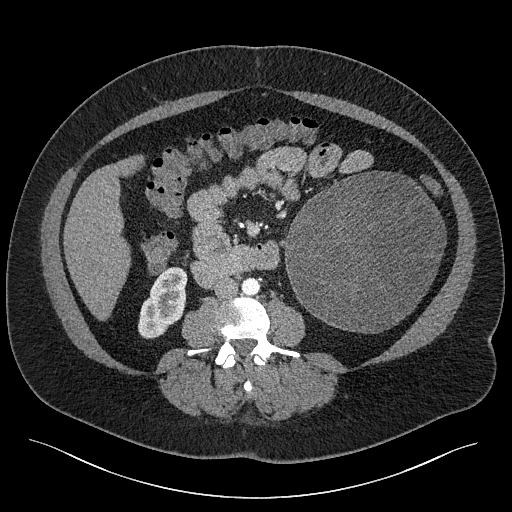
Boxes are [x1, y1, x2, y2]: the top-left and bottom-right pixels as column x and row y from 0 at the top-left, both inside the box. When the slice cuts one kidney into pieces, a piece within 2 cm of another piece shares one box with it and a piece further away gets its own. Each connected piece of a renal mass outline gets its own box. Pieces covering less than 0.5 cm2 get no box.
Contrast-enhanced abdominal CT, axial slice 98 of 301 (counted from the lowest slice); 2.00 mm thick, 0.859 mm per pixel. Two boxes on this slice (one kidney box and one renal mass box), listed by box centre from the image's left to its right. (1) Right kidney at [138, 266, 187, 338] (outlined area 2,466 px, about 18.2 cm2). (2) Box [283, 171, 446, 333]: left renal mass (outlined area 20,024 px, about 147.9 cm2); on this slice it lies more than 1 cm from any kidney outline, but the same outlined renal mass comes within 1 cm of the kidney on another slice.
Tube voltage 120 kVp; convolution kernel I40f.